Arterial-phase contrast-enhanced abdominal CT, axial slice 36 of 77 (counted from the lowest slice); tube voltage 100 kVp, convolution kernel B41f; slices 3.00 mm thick, 0.809 mm per pixel.
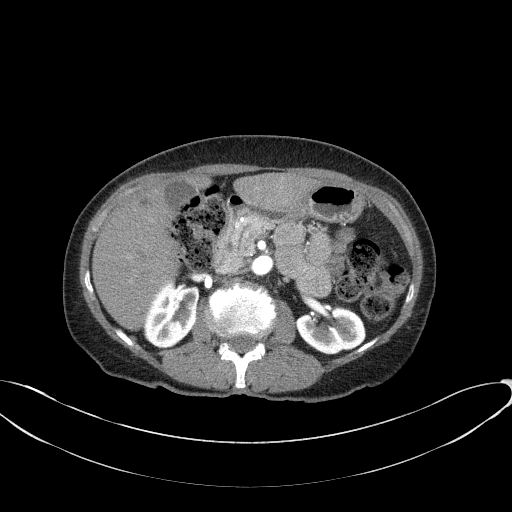
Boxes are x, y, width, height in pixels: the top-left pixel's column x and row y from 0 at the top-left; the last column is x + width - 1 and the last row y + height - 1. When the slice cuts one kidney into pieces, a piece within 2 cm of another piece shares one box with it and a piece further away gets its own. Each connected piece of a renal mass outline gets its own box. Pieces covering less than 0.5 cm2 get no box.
Two kidney boxes on this slice; by box centre, from the image's left to its right: (1) Right kidney at x 143, y 282, width 57, height 67 (outlined area 2,754 px, about 18.0 cm2). (2) Box x 296, y 305, width 70, height 50: left kidney (outlined area 2,576 px, about 16.8 cm2). No renal mass is outlined on this slice.